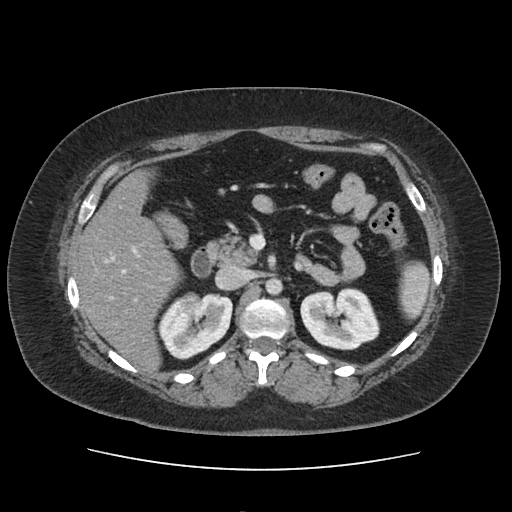
Arterial-phase contrast-enhanced abdominal CT, axial slice 74 of 103 (counted from the lowest slice); tube voltage 120 kVp, convolution kernel FC19; slices 5.00 mm thick, 0.873 mm per pixel.
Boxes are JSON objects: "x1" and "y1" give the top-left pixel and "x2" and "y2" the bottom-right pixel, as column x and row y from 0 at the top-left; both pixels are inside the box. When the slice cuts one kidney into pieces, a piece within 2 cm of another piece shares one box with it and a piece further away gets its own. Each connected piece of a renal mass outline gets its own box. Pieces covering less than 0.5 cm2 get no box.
Three boxes on this slice (two kidney boxes and one renal mass box), listed by box centre from the image's left to its right. (1) Right renal mass, box {"x1": 178, "y1": 292, "x2": 203, "y2": 313} (outlined area 447 px, about 3.4 cm2). (2) Right kidney at {"x1": 157, "y1": 293, "x2": 232, "y2": 359} (outlined area 3,304 px, about 25.2 cm2). (3) Left kidney at {"x1": 300, "y1": 287, "x2": 379, "y2": 350} (outlined area 3,862 px, about 29.4 cm2).